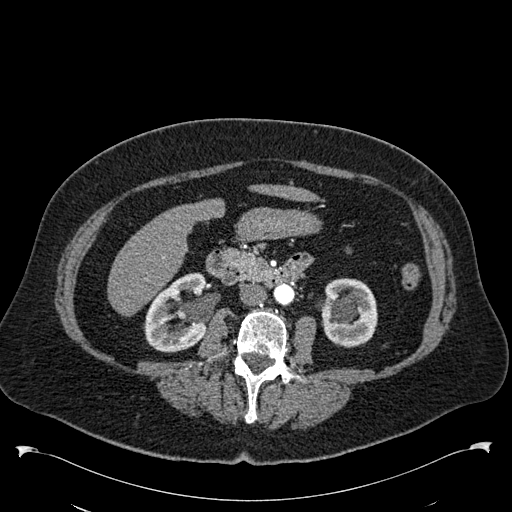
Axial slice 286 of 538 of a contrast-enhanced abdominal CT in the arterial phase (slice 1 is the lowest), 120 kVp, kernel B30f; 1.00 mm slice thickness and 0.811 mm pixels.
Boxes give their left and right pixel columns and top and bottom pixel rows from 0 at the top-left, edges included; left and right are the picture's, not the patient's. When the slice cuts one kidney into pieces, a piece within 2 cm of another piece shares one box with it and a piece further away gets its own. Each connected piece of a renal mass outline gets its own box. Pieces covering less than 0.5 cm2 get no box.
Two boxes on this slice (two kidney boxes), listed by box centre from the image's left to its right. (1) Right kidney in the box with left 144, top 272, right 206, bottom 352 (outlined area 3,691 px, about 24.2 cm2). (2) Left kidney, the box with left 318, top 278, right 377, bottom 347 (outlined area 3,246 px, about 21.3 cm2). No renal mass outline on this slice.